Contrast-enhanced abdominal CT, axial slice 40 of 105 (counted from the lowest slice); tube voltage 120 kVp, convolution kernel B; slices 3.00 mm thick, 0.977 mm per pixel.
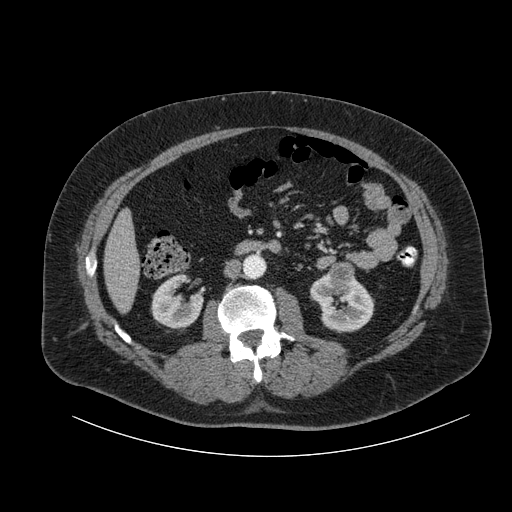
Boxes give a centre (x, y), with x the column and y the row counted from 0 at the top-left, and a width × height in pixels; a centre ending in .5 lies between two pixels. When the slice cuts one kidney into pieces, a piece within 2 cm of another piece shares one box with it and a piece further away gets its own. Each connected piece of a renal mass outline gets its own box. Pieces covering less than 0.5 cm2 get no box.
Boxed on this slice (two kidney boxes and one renal mass box), listed by box centre from the image's left to its right: (1) Box centre (177, 301), 53 × 57 pixels: right kidney (outlined area 2,010 px, about 19.2 cm2). (2) Box centre (340.5, 276.5), 28 × 32 pixels: left renal mass (outlined area 699 px, about 6.7 cm2). (3) Box centre (342, 302.5), 65 × 60 pixels: left kidney (outlined area 2,463 px, about 23.5 cm2).